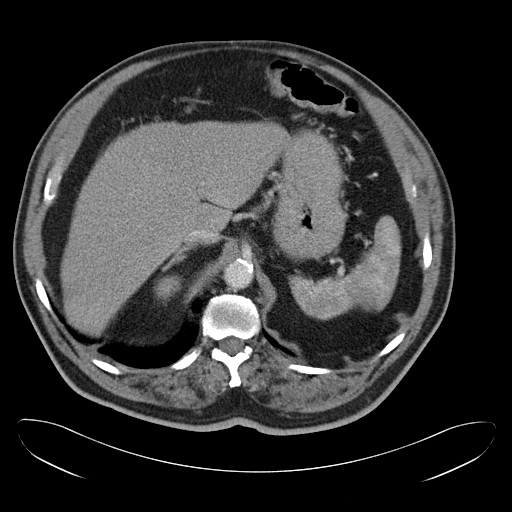
Axial slice 31 of 34 of a contrast-enhanced abdominal CT in the arterial phase (slice 1 is the lowest), 120 kVp, kernel B30f; 5.00 mm slice thickness and 0.830 mm pixels.
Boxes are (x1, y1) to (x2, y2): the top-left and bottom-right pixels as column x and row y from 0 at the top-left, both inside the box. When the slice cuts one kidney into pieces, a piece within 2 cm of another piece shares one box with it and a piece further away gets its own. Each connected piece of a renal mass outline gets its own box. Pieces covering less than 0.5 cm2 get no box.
Box (154, 276) to (181, 300): right kidney (outlined area 487 px, about 3.4 cm2). This slice carries no renal mass outline.